Axial slice 57 of 92 of a contrast-enhanced abdominal CT (slice 1 is the lowest), 120 kVp, kernel B30f; 5.00 mm slice thickness and 0.918 mm pixels.
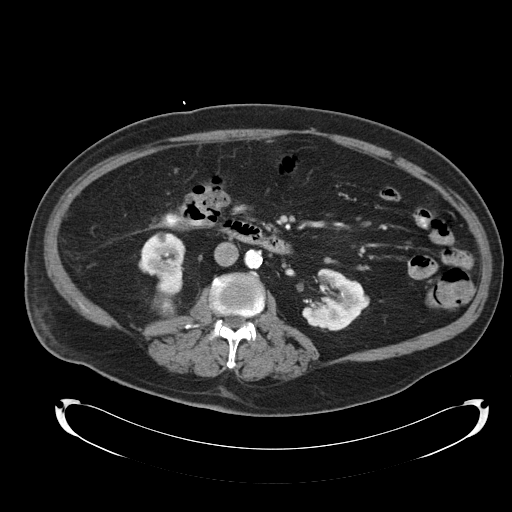
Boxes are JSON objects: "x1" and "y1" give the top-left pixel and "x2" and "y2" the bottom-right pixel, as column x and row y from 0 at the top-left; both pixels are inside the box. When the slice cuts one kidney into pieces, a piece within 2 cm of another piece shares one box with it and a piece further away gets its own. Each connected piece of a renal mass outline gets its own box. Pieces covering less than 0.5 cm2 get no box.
Three boxes on this slice (two kidney boxes and one renal mass box), listed by box centre from the image's left to its right. (1) Right kidney, box {"x1": 138, "y1": 232, "x2": 185, "y2": 277} (outlined area 1,517 px, about 12.8 cm2). (2) Box {"x1": 152, "y1": 265, "x2": 182, "y2": 318}: right renal mass (outlined area 1,150 px, about 9.7 cm2). (3) Left kidney, box {"x1": 301, "y1": 268, "x2": 369, "y2": 330} (outlined area 2,810 px, about 23.7 cm2).